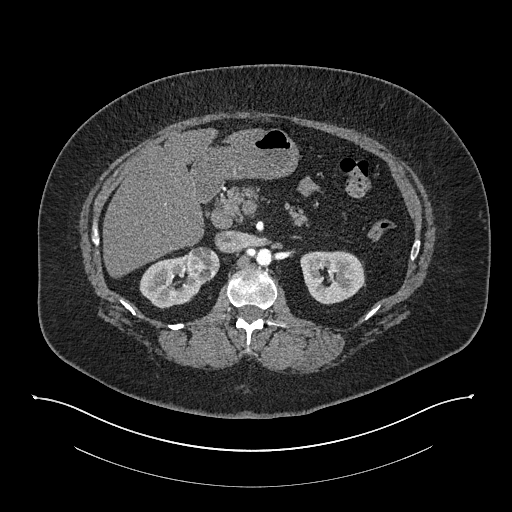
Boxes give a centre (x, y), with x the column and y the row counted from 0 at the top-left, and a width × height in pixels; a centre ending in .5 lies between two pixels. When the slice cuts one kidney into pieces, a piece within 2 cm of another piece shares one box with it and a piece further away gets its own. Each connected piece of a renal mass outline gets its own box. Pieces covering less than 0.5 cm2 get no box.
This is axial slice 513 of 673 (slice 1 is the lowest) of an arterial-phase abdominal CT with contrast; each pixel is 0.957 mm and the slice is 1.00 mm thick. Three boxes on this slice (two kidney boxes and one renal mass box), listed by box centre from the image's left to its right. (1) Right kidney in a box with centre (171.5, 281.5), 66 × 56 pixels (outlined area 2,272 px, about 20.8 cm2). (2) Box centre (203, 264.5), 33 × 36 pixels: right renal mass (outlined area 936 px, about 8.6 cm2). (3) Left kidney, box centre (332.5, 277.5), 66 × 54 pixels (outlined area 2,760 px, about 25.3 cm2).
Scan settings: 140 kVp, I30f reconstruction kernel.